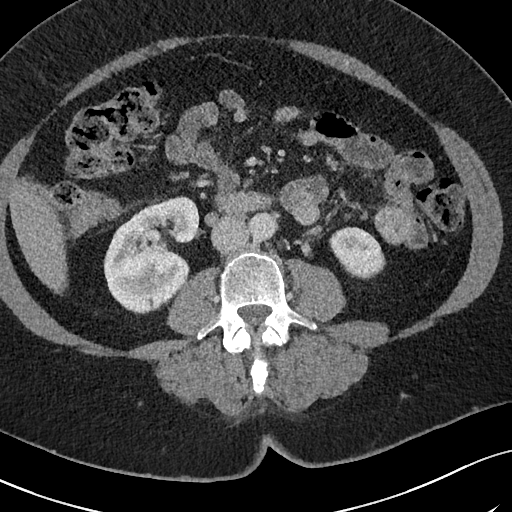
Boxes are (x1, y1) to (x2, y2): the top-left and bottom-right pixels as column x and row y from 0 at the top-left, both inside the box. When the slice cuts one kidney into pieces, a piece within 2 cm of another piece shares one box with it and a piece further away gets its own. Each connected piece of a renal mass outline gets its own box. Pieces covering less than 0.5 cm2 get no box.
Arterial-phase contrast-enhanced abdominal CT, axial slice 31 of 69 (counted from the lowest slice); 3.00 mm thick, 0.664 mm per pixel. Two kidney boxes on this slice; by box centre, from the image's left to its right: (1) Box (103, 196) to (200, 314): right kidney (outlined area 7,840 px, about 34.6 cm2). (2) Left kidney, box (329, 226) to (385, 279) (outlined area 2,114 px, about 9.3 cm2). This slice carries no renal mass outline.
Acquired at 120 kVp and reconstructed with the I40f kernel.